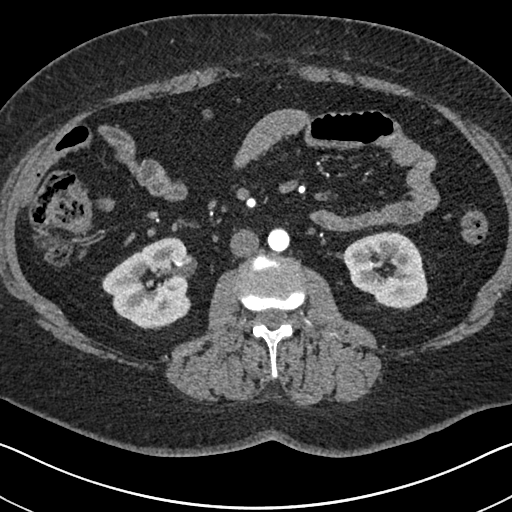
Axial slice 351 of 591 of a contrast-enhanced abdominal CT in the arterial phase (slice 1 is the lowest), 140 kVp, kernel I30f; 1.00 mm slice thickness and 0.703 mm pixels.
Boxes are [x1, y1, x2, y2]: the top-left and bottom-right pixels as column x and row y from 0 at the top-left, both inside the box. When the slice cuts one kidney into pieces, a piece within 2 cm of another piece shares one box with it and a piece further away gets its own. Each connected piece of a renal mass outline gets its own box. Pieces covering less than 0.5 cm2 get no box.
Boxed on this slice (two kidney boxes), listed by box centre from the image's left to its right: (1) Right kidney at [102, 237, 191, 329] (outlined area 5,802 px, about 28.7 cm2). (2) Left kidney, box [343, 231, 427, 308] (outlined area 4,743 px, about 23.4 cm2). No renal mass outline on this slice.